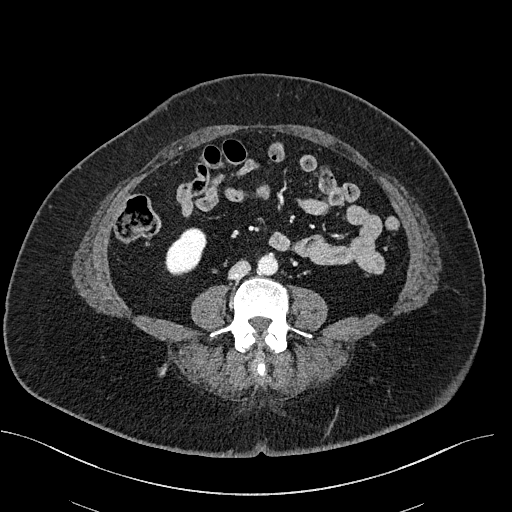
One axial slice (242 of 470, counting up from the lowest) of a contrast-enhanced abdominal CT acquired with 100 kVp, kernel I40f; each pixel is 0.824 mm and the slice is 2.00 mm thick.
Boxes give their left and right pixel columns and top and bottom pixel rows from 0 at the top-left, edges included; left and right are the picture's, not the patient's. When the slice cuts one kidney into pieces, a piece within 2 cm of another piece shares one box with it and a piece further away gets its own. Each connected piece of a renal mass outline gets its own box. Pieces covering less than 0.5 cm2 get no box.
Box with left 165, top 227, right 206, bottom 275: right kidney (outlined area 1,415 px, about 9.6 cm2). No renal mass outline on this slice.